One axial slice (89 of 301, counting up from the lowest) of a contrast-enhanced abdominal CT acquired with 120 kVp, kernel I40f; each pixel is 0.859 mm and the slice is 2.00 mm thick.
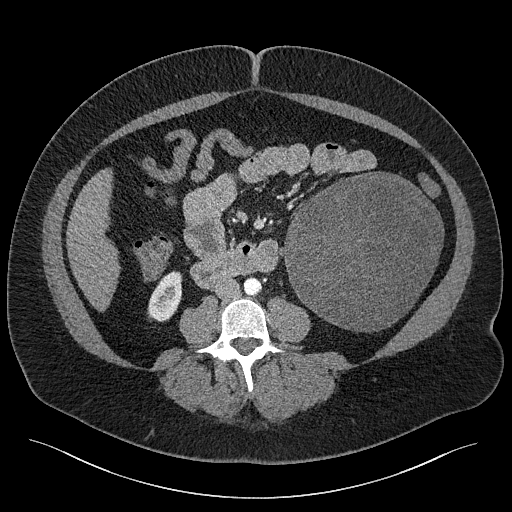
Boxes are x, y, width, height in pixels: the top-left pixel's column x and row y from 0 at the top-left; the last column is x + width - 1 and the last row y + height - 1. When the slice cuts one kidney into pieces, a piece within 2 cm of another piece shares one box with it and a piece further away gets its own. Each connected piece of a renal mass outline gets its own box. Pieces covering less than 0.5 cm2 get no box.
One kidney box and one renal mass box on this slice; by box centre, from the image's left to its right: (1) Right kidney, box x 147, y 271, width 36, height 51 (outlined area 1,281 px, about 9.5 cm2). (2) Box x 284, y 171, width 160, height 162: left renal mass (outlined area 19,360 px, about 143.0 cm2); here it is more than 1 cm from any kidney outline, though on another slice the same outlined renal mass lies within 1 cm of the kidney.